Arterial-phase contrast-enhanced abdominal CT, axial slice 208 of 538 (counted from the lowest slice); tube voltage 120 kVp, convolution kernel B30f; slices 1.00 mm thick, 0.811 mm per pixel.
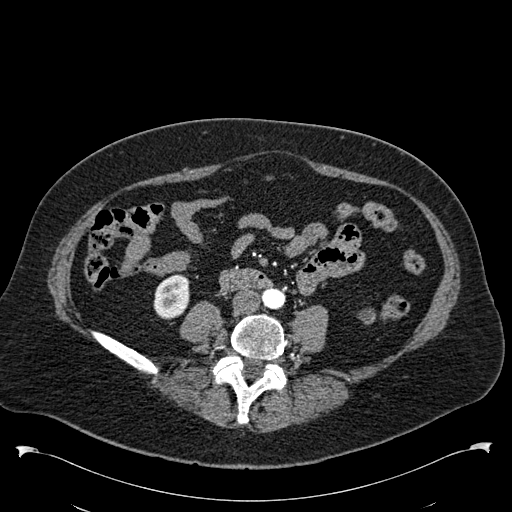
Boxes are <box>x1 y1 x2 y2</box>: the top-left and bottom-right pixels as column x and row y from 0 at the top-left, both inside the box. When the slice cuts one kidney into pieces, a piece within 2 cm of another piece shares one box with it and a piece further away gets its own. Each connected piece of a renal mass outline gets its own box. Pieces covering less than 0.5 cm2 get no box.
One kidney box and one renal mass box on this slice; by box centre, from the image's left to its right: (1) Right kidney at <box>153 274 189 319</box> (outlined area 1,325 px, about 8.7 cm2). (2) Left renal mass: <box>358 308 375 324</box> (outlined area 212 px, about 1.4 cm2); here it is more than 1 cm from any kidney outline, though on another slice the same outlined renal mass lies within 1 cm of the kidney.